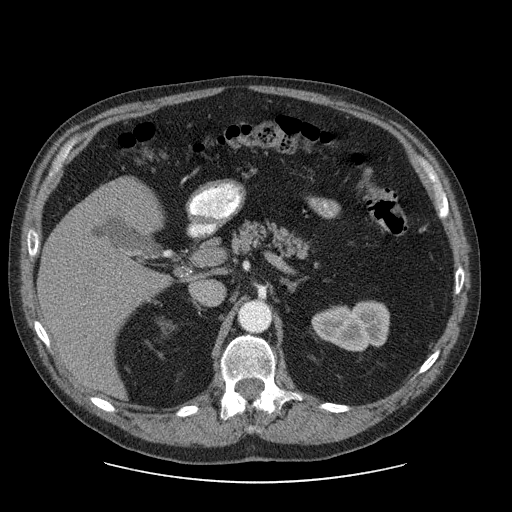
One axial slice (57 of 103, counting up from the lowest) of a contrast-enhanced abdominal CT acquired with 120 kVp, kernel STANDARD; each pixel is 0.820 mm and the slice is 2.50 mm thick.
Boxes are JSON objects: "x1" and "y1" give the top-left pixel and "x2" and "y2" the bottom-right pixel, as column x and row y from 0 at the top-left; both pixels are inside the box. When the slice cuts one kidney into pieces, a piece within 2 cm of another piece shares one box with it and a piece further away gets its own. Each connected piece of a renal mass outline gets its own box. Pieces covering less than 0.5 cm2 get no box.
Left kidney at {"x1": 311, "y1": 300, "x2": 389, "y2": 351} (outlined area 3,030 px, about 20.4 cm2). No renal mass is outlined on this slice.